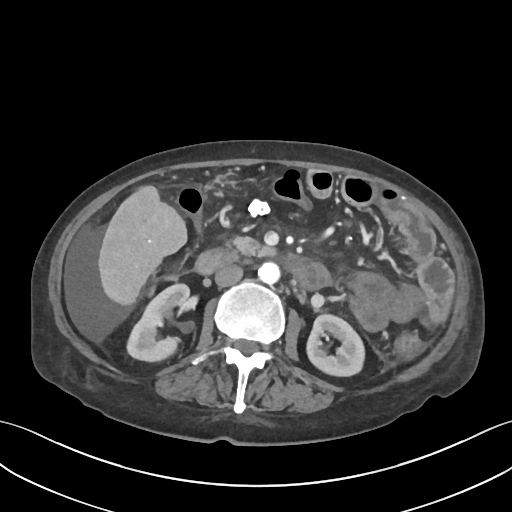
Contrast-enhanced abdominal CT, axial slice 35 of 109 (counted from the lowest slice); tube voltage 120 kVp, convolution kernel I30f; slices 3.00 mm thick, 0.742 mm per pixel.
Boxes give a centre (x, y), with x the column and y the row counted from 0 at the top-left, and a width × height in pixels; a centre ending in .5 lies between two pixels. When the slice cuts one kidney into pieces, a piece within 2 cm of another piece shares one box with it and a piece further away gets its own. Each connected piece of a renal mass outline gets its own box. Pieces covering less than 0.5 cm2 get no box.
Two kidney boxes on this slice; by box centre, from the image's left to its right: (1) Box centre (158.5, 322.5), 66 × 80 pixels: right kidney (outlined area 3,329 px, about 18.3 cm2). (2) Box centre (335.5, 345), 60 × 65 pixels: left kidney (outlined area 2,908 px, about 16.0 cm2). No renal mass is outlined on this slice.